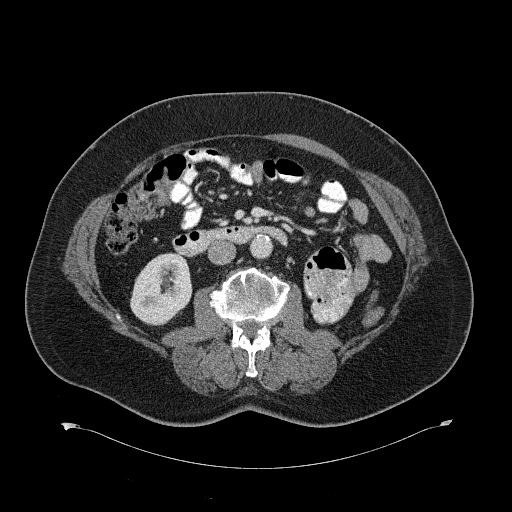
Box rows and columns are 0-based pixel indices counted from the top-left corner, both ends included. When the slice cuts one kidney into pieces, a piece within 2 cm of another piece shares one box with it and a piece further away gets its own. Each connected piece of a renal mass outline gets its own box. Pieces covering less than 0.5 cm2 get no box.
This is axial slice 337 of 734 (slice 1 is the lowest) of an abdominal CT with contrast; each pixel is 0.971 mm and the slice is 2.00 mm thick. Box rows 253–325, columns 130–190: right kidney (outlined area 3,335 px, about 31.4 cm2). This slice carries no renal mass outline.
Acquired at 120 kVp and reconstructed with the B31f kernel.